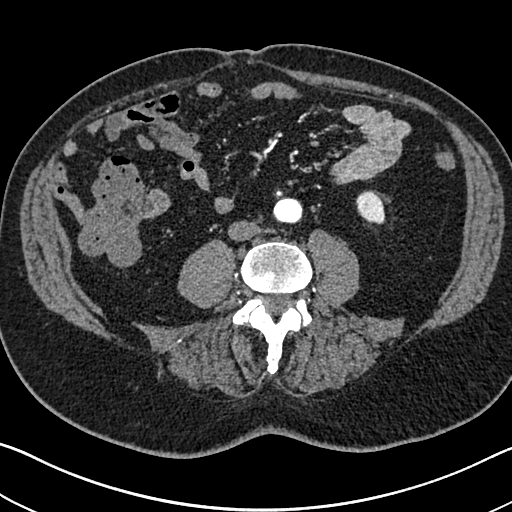
Arterial-phase contrast-enhanced abdominal CT, axial slice 274 of 705 (counted from the lowest slice); tube voltage 120 kVp, convolution kernel I30f; slices 1.00 mm thick, 0.703 mm per pixel.
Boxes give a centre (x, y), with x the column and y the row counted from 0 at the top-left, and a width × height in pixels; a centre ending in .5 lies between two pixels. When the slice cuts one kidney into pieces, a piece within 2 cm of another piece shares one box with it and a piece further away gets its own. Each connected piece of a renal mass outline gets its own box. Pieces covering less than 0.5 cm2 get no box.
Left kidney, box centre (370.5, 207.5), 30 × 36 pixels (outlined area 760 px, about 3.8 cm2). No renal mass outline on this slice.